Abdominal CT with intravenous contrast, arterial phase, axial plane, 140 kVp, kernel I30f. Slice 541/673 from the bottom of the scan; thickness 1.00 mm; pixel size 0.957 mm.
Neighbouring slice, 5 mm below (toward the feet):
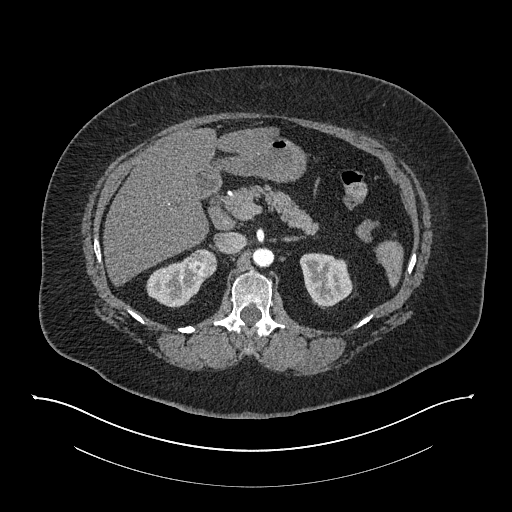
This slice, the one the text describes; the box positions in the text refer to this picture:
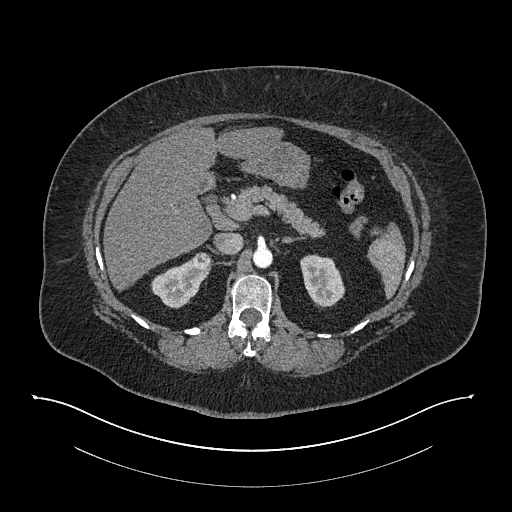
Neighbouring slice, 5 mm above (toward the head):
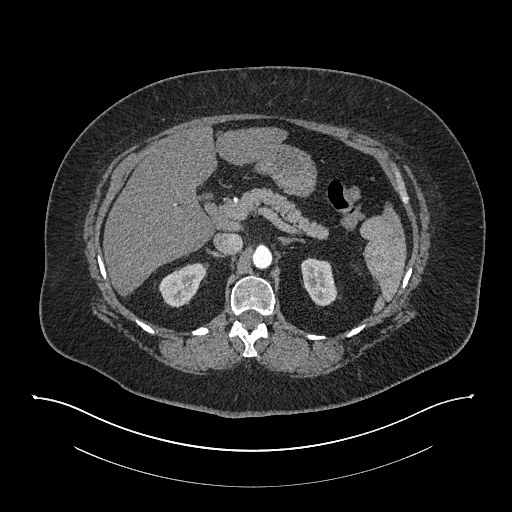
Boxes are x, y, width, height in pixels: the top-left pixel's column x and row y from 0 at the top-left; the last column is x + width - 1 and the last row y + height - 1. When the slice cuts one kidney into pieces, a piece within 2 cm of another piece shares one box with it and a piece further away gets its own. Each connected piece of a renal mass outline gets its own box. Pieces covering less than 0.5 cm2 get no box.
Two kidney boxes and one renal mass box on this slice; by box centre, from the image's left to its right: (1) Right kidney at x 150, y 258, width 63, height 51 (outlined area 1,744 px, about 16.0 cm2). (2) Box x 192, y 252, width 20, height 19: right renal mass (outlined area 276 px, about 2.5 cm2). (3) Left kidney, box x 300, y 254, width 45, height 54 (outlined area 1,762 px, about 16.1 cm2). This slice is near the end of the right renal mass toward the head, so the slices 5 mm below and 5 mm above it are shown as well; the boxes refer to this slice only.